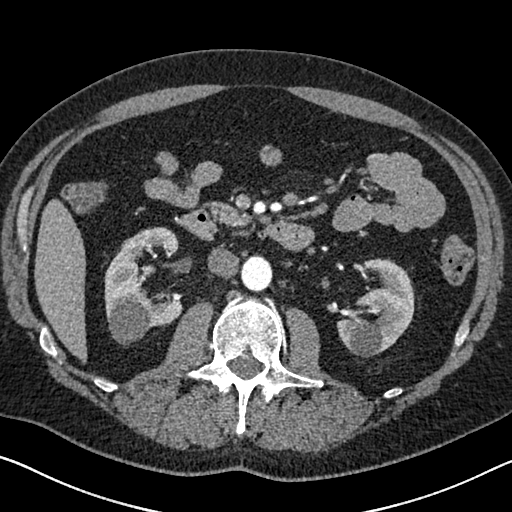
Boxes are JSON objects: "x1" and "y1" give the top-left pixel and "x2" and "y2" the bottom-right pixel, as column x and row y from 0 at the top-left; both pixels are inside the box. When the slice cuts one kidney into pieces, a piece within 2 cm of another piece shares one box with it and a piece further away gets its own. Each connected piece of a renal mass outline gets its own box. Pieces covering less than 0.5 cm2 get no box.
Arterial-phase contrast-enhanced abdominal CT, axial slice 374 of 626 (counted from the lowest slice); 1.00 mm thick, 0.703 mm per pixel. Two boxes on this slice (two kidney boxes), listed by box centre from the image's left to its right. (1) Box {"x1": 104, "y1": 227, "x2": 183, "y2": 345}: right kidney (outlined area 6,010 px, about 29.7 cm2). (2) Left kidney, box {"x1": 336, "y1": 258, "x2": 414, "y2": 357} (outlined area 4,943 px, about 24.4 cm2). No renal mass is outlined on this slice.
Acquired at 120 kVp and reconstructed with the I30f kernel.